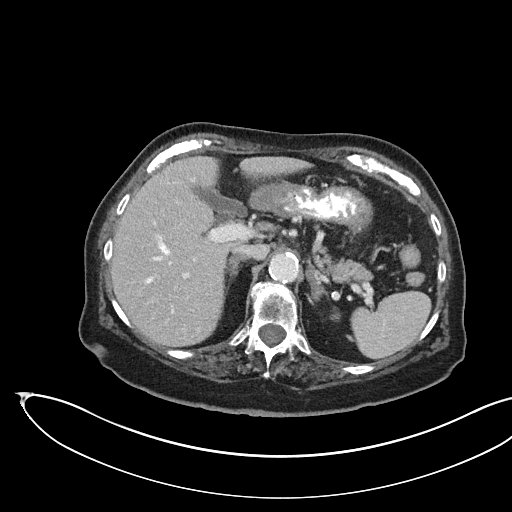
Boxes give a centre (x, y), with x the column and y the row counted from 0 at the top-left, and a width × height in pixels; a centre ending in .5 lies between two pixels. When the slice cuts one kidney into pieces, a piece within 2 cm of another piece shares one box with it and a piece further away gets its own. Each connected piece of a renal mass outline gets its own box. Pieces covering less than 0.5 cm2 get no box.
Slice 115/145 of a contrast-enhanced abdominal CT in the arterial phase, counting up from the lowest; pixel size 0.834 mm, slice thickness 3.00 mm. Box centre (335, 314), 11 × 15 pixels: kidney (outlined area 97 px, about 0.7 cm2). No renal mass is outlined on this slice.
Tube voltage 100 kVp; convolution kernel I40f.